Axial slice 318 of 665 of a contrast-enhanced abdominal CT in the arterial phase (slice 1 is the lowest), 100 kVp, kernel I26f; 1.00 mm slice thickness and 0.828 mm pixels.
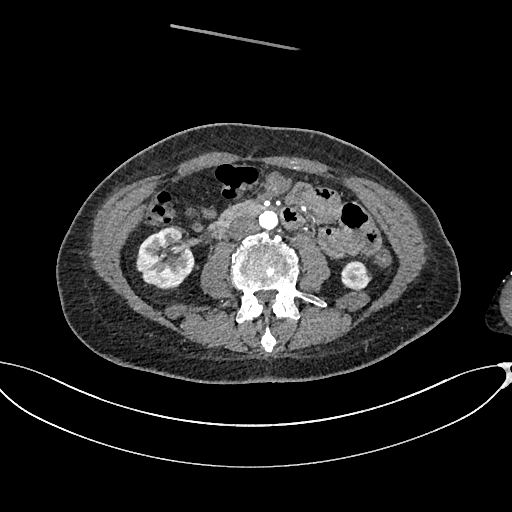
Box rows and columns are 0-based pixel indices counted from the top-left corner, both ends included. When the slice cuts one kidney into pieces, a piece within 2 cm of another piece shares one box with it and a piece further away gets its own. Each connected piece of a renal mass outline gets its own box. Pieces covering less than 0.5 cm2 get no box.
Two boxes on this slice (two kidney boxes), listed by box centre from the image's left to its right. (1) Right kidney at rows 227–289, columns 136–193 (outlined area 2,751 px, about 18.9 cm2). (2) Left kidney, box rows 260–290, columns 341–371 (outlined area 708 px, about 4.9 cm2). This slice carries no renal mass outline.